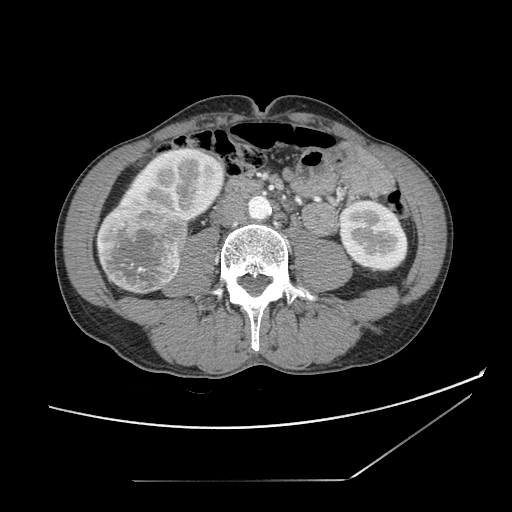
One axial slice (43 of 121, counting up from the lowest) of a contrast-enhanced abdominal CT acquired with 120 kVp, kernel STANDARD; each pixel is 0.742 mm and the slice is 2.50 mm thick.
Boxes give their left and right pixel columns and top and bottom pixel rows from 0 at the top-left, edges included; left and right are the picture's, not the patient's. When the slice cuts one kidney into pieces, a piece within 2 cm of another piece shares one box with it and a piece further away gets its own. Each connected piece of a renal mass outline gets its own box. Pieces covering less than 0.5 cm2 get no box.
Boxed on this slice (two kidney boxes and one renal mass box), listed by box centre from the image's left to its right: (1) Right renal mass, the box with left 96, top 204, right 190, bottom 294 (outlined area 6,716 px, about 37.0 cm2). (2) Box with left 117, top 147, right 225, bottom 223: right kidney (outlined area 5,161 px, about 28.4 cm2). (3) Left kidney, the box with left 339, top 198, right 408, bottom 272 (outlined area 3,987 px, about 22.0 cm2).